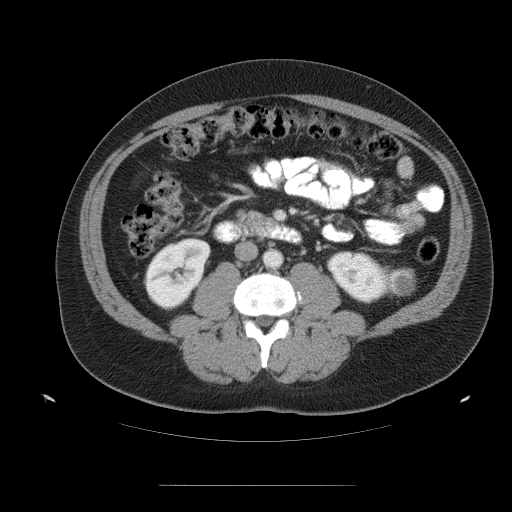
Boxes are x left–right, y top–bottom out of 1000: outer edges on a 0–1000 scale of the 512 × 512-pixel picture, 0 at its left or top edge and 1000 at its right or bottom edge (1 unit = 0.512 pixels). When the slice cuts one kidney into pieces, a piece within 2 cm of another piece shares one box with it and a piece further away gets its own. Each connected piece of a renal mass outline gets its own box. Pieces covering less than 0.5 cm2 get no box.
Slice 60/99 of a contrast-enhanced abdominal CT, counting up from the lowest; pixel size 0.938 mm, slice thickness 5.00 mm. Three boxes on this slice (two kidney boxes and one renal mass box), listed by box centre from the image's left to its right. (1) Box x 279–414, y 463–607 out of 1000: right kidney (outlined area 3,431 px, about 30.2 cm2). (2) Left kidney, box x 637–768, y 490–594 out of 1000 (outlined area 2,443 px, about 21.5 cm2). (3) Left renal mass at x 756–814, y 521–580 out of 1000 (outlined area 737 px, about 6.5 cm2).
Acquired at 120 kVp and reconstructed with the STANDARD kernel.